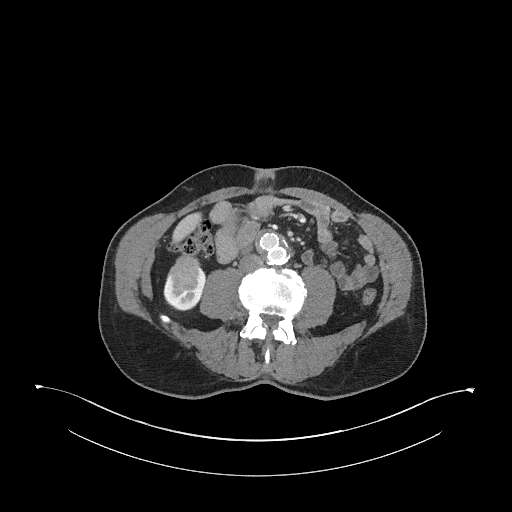
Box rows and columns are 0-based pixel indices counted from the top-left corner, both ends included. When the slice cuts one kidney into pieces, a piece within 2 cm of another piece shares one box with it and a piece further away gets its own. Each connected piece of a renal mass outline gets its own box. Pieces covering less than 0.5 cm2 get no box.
Arterial-phase contrast-enhanced abdominal CT, axial slice 124 of 345 (counted from the lowest slice); 2.00 mm thick, 0.977 mm per pixel. Two boxes on this slice (one kidney box and one renal mass box), listed by box centre from the image's left to its right. (1) Right renal mass at rows 254–294, columns 168–200 (outlined area 909 px, about 8.7 cm2). (2) Box rows 268–311, columns 163–205: right kidney (outlined area 908 px, about 8.7 cm2).
Tube voltage 120 kVp; convolution kernel I31f.